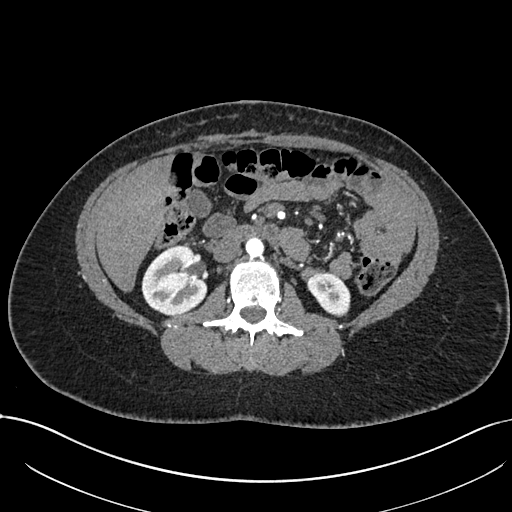
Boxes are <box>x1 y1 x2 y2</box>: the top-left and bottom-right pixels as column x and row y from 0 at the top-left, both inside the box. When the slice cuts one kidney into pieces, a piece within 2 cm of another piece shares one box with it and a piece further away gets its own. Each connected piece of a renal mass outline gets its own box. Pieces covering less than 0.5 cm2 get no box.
This is axial slice 398 of 738 (slice 1 is the lowest) of an arterial-phase abdominal CT with contrast; each pixel is 0.789 mm and the slice is 1.00 mm thick. Two boxes on this slice (two kidney boxes), listed by box centre from the image's left to its right. (1) At <box>141 245 208 315</box>: right kidney (outlined area 3,501 px, about 21.8 cm2). (2) Left kidney: <box>307 271 350 316</box> (outlined area 1,413 px, about 8.8 cm2). This slice carries no renal mass outline.
Tube voltage 120 kVp; convolution kernel I30f.